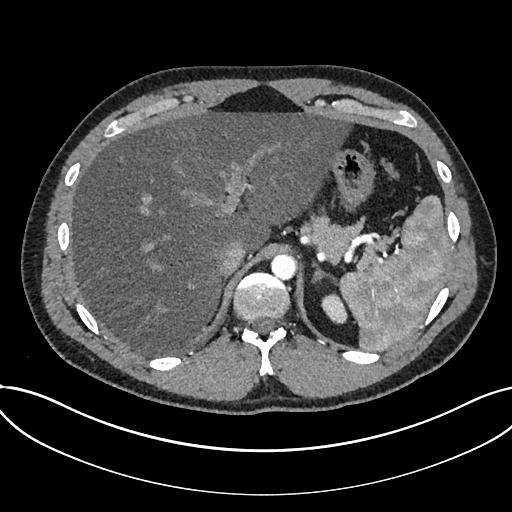
Arterial-phase contrast-enhanced abdominal CT, axial slice 590 of 735 (counted from the lowest slice); tube voltage 120 kVp, convolution kernel I30f; slices 1.00 mm thick, 0.789 mm per pixel.
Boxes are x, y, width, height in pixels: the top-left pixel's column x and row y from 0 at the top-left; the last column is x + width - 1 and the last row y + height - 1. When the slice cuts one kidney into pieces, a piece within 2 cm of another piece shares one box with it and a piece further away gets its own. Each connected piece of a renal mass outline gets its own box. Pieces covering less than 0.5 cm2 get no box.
Kidney at x 321, y 293, width 27, height 32 (outlined area 581 px, about 3.6 cm2). This slice carries no renal mass outline.